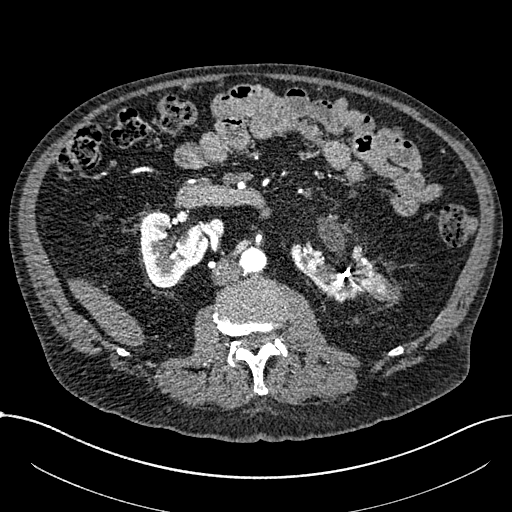
Axial slice 360 of 1059 of a contrast-enhanced abdominal CT in the arterial phase (slice 1 is the lowest), 100 kVp, kernel I30f; 1.00 mm slice thickness and 0.811 mm pixels.
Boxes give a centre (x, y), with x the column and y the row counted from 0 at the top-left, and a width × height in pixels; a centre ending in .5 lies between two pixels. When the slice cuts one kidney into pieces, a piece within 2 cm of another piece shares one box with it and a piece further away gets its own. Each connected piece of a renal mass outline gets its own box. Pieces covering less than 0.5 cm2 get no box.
Boxed on this slice (two kidney boxes and one renal mass box), listed by box centre from the image's left to its right: (1) Right part of the midline-crossing kidney in a box with centre (174.5, 250), 70 × 77 pixels (outlined area 3,605 px, about 23.7 cm2). (2) Left part of the midline-crossing kidney in a box with centre (333, 272), 87 × 61 pixels (outlined area 2,976 px, about 19.6 cm2). (3) Renal mass in a box with centre (378.5, 286.5), 36 × 32 pixels (outlined area 674 px, about 4.4 cm2).